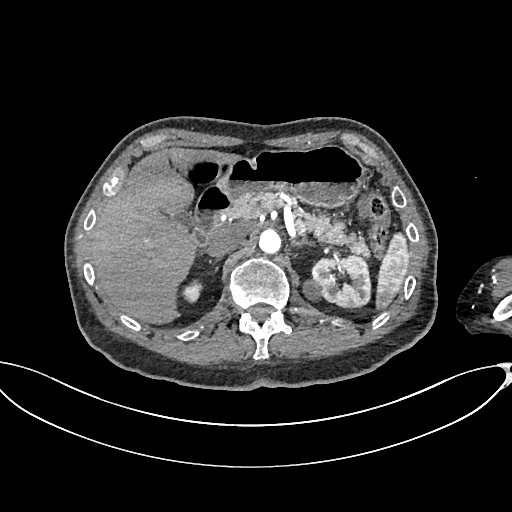
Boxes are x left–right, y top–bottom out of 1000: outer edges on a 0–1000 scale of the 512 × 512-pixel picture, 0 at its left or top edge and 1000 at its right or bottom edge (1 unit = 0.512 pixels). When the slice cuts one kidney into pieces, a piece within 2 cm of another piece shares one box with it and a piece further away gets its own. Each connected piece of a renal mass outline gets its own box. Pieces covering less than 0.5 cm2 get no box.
This is axial slice 459 of 665 (slice 1 is the lowest) of an arterial-phase abdominal CT with contrast; each pixel is 0.828 mm and the slice is 1.00 mm thick. Boxed on this slice (two kidney boxes and one renal mass box), listed by box centre from the image's left to its right: (1) Right kidney at x 354–398, y 545–594 out of 1000 (outlined area 357 px, about 2.4 cm2). (2) Left renal mass at x 590–629, y 543–590 out of 1000 (outlined area 338 px, about 2.3 cm2). (3) Left kidney at x 607–727, y 498–604 out of 1000 (outlined area 2,512 px, about 17.2 cm2).
Tube voltage 100 kVp; convolution kernel I26f.